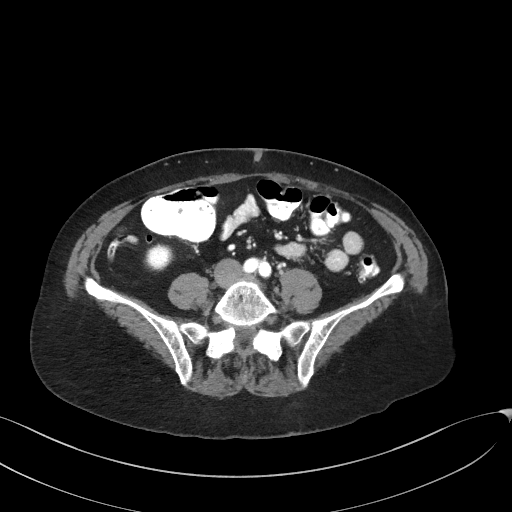
One axial slice (64 of 129, counting up from the lowest) of an arterial-phase abdominal CT acquired with 100 kVp, kernel I41f; each pixel is 0.779 mm and the slice is 3.00 mm thick.
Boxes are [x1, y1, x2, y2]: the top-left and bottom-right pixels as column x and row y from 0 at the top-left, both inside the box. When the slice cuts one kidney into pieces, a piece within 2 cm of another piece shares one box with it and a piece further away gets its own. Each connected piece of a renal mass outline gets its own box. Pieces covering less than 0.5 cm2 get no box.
Box [144, 243, 174, 271]: right kidney (outlined area 658 px, about 4.0 cm2). No renal mass outline on this slice.